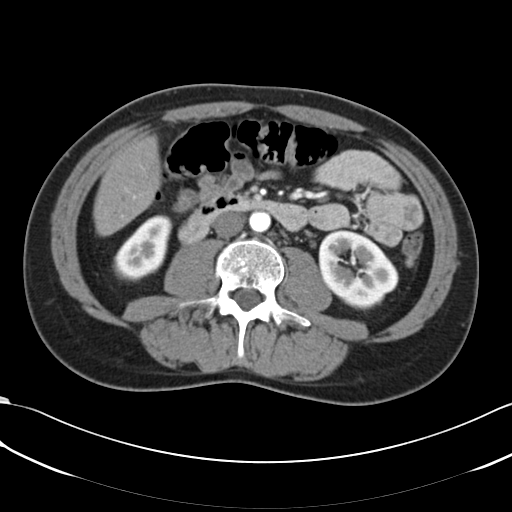
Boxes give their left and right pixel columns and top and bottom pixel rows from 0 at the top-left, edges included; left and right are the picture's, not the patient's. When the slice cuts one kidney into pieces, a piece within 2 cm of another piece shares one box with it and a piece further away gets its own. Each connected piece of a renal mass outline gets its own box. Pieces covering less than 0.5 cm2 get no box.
Slice 31/66 of a contrast-enhanced abdominal CT in the arterial phase, counting up from the lowest; pixel size 0.678 mm, slice thickness 5.00 mm. Two boxes on this slice (two kidney boxes), listed by box centre from the image's left to its right. (1) Box with left 112, top 214, right 172, bottom 281: right kidney (outlined area 2,622 px, about 12.0 cm2). (2) Box with left 318, top 230, right 398, bottom 310: left kidney (outlined area 4,477 px, about 20.6 cm2). No renal mass is outlined on this slice.
Tube voltage 120 kVp; convolution kernel B30f.